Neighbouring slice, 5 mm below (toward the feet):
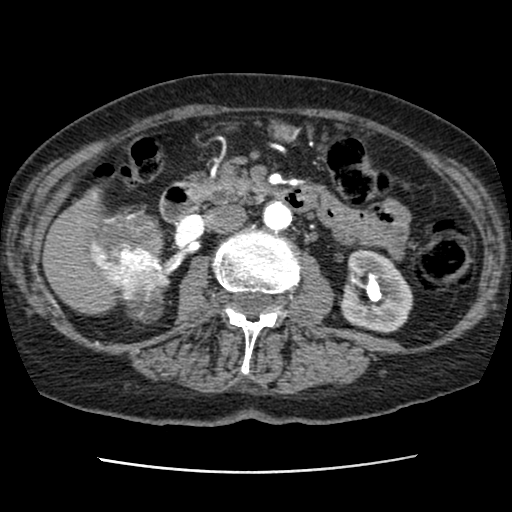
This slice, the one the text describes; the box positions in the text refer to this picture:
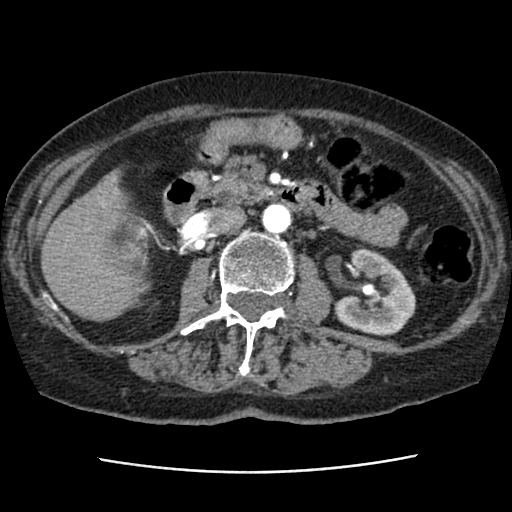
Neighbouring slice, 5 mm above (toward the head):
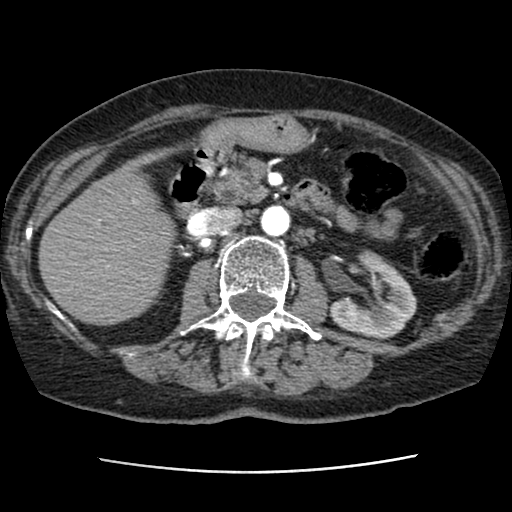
Contrast-enhanced abdominal CT, axial slice 44 of 76 (counted from the lowest slice); tube voltage 120 kVp, convolution kernel STANDARD; slices 2.50 mm thick, 0.586 mm per pixel.
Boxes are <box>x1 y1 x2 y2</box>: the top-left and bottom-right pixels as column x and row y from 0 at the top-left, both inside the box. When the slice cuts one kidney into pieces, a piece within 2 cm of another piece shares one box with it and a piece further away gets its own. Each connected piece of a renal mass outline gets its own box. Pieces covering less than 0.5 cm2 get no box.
Boxed on this slice (one kidney box and one renal mass box), listed by box centre from the image's left to its right: (1) Right renal mass: <box>115 225 149 265</box> (outlined area 1,024 px, about 3.5 cm2); on this slice it lies more than 1 cm from any kidney outline, but the same outlined renal mass comes within 1 cm of the kidney on another slice. (2) Left kidney: <box>333 247 415 336</box> (outlined area 4,967 px, about 17.1 cm2). This slice lies near the end of the right renal mass toward the head; the slices 5 mm below and 5 mm above it are shown too, and the boxes mark positions on this slice only.